Arterial-phase contrast-enhanced abdominal CT, axial slice 171 of 1059 (counted from the lowest slice); tube voltage 100 kVp, convolution kernel I30f; slices 1.00 mm thick, 0.811 mm per pixel.
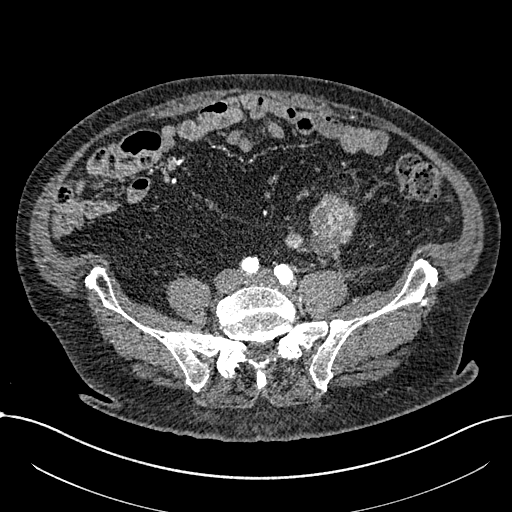
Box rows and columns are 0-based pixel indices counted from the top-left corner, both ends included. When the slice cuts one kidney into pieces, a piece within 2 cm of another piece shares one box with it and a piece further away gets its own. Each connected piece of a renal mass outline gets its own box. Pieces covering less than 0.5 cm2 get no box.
Two renal mass boxes on this slice; by box centre, from the image's left to its right: (1) Box rows 229–250, columns 284–303: renal mass (outlined area 288 px, about 1.9 cm2); no kidney outline appears on this slice, but the same outlined renal mass comes within 1 cm of the kidney on another slice. (2) Renal mass at rows 192–264, columns 309–357 (outlined area 2,475 px, about 16.3 cm2); no kidney is outlined on this slice, but the same outlined renal mass comes within 1 cm of the kidney on another slice.